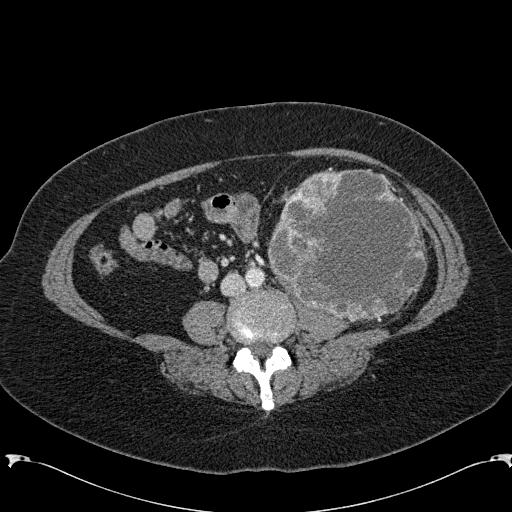
Axial slice 65 of 285 of a contrast-enhanced abdominal CT in the arterial phase (slice 1 is the lowest), 120 kVp, kernel B31f; 2.00 mm slice thickness and 0.762 mm pixels.
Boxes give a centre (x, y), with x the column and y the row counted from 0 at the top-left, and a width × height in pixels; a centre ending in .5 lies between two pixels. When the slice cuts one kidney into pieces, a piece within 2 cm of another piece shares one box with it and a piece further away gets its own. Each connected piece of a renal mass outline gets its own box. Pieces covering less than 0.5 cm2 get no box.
Left renal mass, box centre (347, 244), 161 × 153 pixels (outlined area 18,598 px, about 107.9 cm2); no kidney is outlined on this slice, but the same outlined renal mass comes within 1 cm of the kidney on another slice.